Axial slice 323 of 673 of a contrast-enhanced abdominal CT in the arterial phase (slice 1 is the lowest), 120 kVp, kernel I30f; 1.00 mm slice thickness and 0.855 mm pixels.
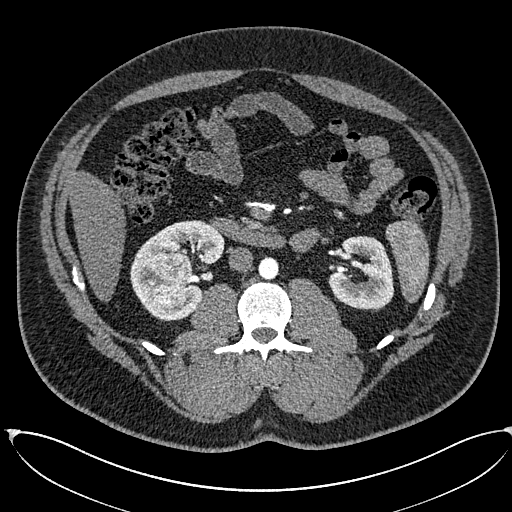
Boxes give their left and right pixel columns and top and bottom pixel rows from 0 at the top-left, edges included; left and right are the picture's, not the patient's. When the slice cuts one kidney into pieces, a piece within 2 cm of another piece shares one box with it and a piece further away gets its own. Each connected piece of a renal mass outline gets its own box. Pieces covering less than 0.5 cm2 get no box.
Three boxes on this slice (two kidney boxes and one renal mass box), listed by box centre from the image's left to its right. (1) Right renal mass in the box with left 149, top 252, right 193, bottom 307 (outlined area 1,932 px, about 14.1 cm2). (2) Right kidney, the box with left 130, top 220, right 224, bottom 320 (outlined area 4,662 px, about 34.1 cm2). (3) Left kidney, the box with left 328, top 236, right 394, bottom 309 (outlined area 3,624 px, about 26.5 cm2).